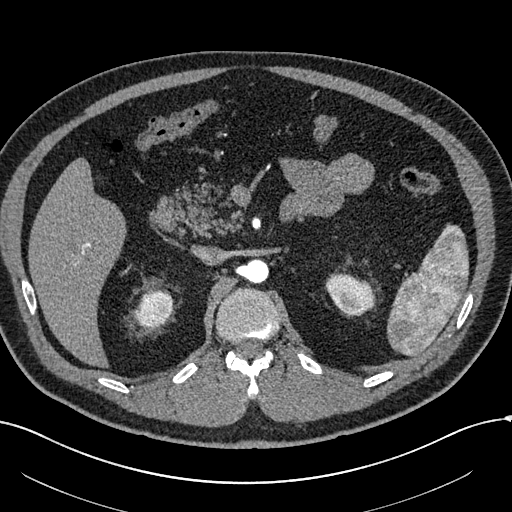
One axial slice (408 of 602, counting up from the lowest) of an arterial-phase abdominal CT acquired with 120 kVp, kernel I30f; each pixel is 0.799 mm and the slice is 1.00 mm thick.
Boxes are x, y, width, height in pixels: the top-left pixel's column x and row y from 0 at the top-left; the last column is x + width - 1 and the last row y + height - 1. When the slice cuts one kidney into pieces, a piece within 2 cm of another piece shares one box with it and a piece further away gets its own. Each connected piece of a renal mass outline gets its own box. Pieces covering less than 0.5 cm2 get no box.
Two kidney boxes on this slice; by box centre, from the image's left to its right: (1) Box x 133, y 290, width 41, height 40: right kidney (outlined area 1,216 px, about 7.8 cm2). (2) Left kidney, box x 325, y 273, width 49, height 43 (outlined area 1,521 px, about 9.7 cm2). No renal mass outline on this slice.